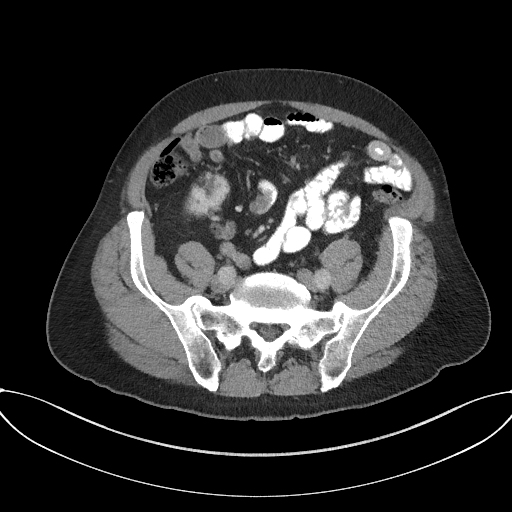
One axial slice (59 of 227, counting up from the lowest) of an arterial-phase abdominal CT acquired with 120 kVp, kernel I31f; each pixel is 0.816 mm and the slice is 3.00 mm thick.
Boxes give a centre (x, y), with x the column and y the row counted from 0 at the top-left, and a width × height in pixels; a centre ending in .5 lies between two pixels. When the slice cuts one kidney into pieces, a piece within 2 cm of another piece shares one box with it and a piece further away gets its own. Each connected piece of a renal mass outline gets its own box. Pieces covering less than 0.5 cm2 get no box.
Right kidney, box centre (207, 196.5), 41 × 38 pixels (outlined area 1,183 px, about 7.9 cm2). No renal mass is outlined on this slice.